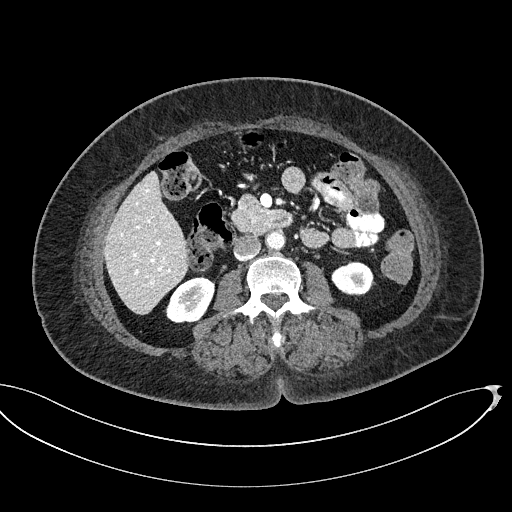
Abdominal CT with intravenous contrast, axial plane, 100 kVp, kernel I40f. Slice 272/439 from the bottom of the scan; thickness 2.00 mm; pixel size 0.850 mm.
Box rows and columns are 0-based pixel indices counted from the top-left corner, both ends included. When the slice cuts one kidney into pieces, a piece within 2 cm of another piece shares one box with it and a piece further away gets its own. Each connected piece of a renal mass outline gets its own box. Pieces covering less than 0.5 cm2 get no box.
Two boxes on this slice (two kidney boxes), listed by box centre from the image's left to its right. (1) Right kidney at rows 276–323, columns 165–214 (outlined area 1,700 px, about 12.3 cm2). (2) Left kidney, box rows 261–295, columns 331–375 (outlined area 1,159 px, about 8.4 cm2). No renal mass outline on this slice.